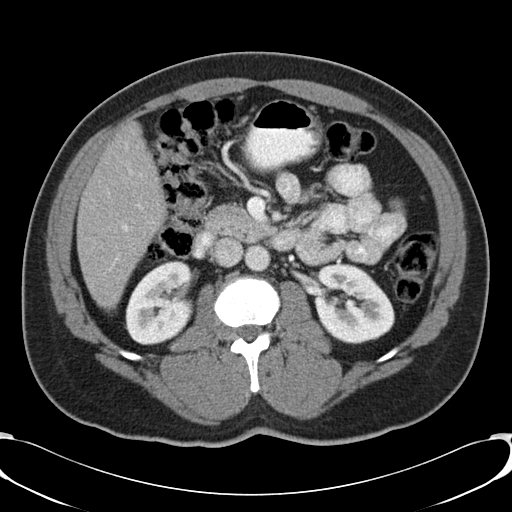
Axial slice 19 of 48 of a contrast-enhanced abdominal CT (slice 1 is the lowest), 120 kVp, kernel B30f; 5.00 mm slice thickness and 0.736 mm pixels.
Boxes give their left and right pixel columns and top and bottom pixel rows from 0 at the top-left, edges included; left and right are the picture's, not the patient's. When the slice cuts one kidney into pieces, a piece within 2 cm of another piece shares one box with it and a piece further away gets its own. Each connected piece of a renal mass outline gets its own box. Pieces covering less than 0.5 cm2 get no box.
Boxed on this slice (two kidney boxes), listed by box centre from the image's left to its right: (1) Right kidney in the box with left 125, top 260, right 194, bottom 344 (outlined area 4,442 px, about 24.1 cm2). (2) Box with left 313, top 262, right 394, bottom 344: left kidney (outlined area 4,995 px, about 27.1 cm2). No renal mass outline on this slice.